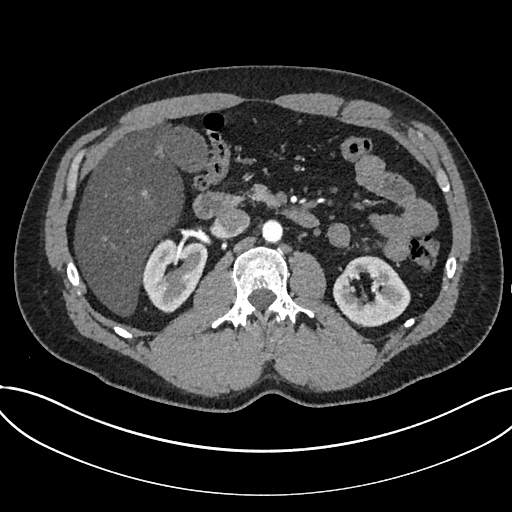
One axial slice (423 of 735, counting up from the lowest) of an arterial-phase abdominal CT acquired with 120 kVp, kernel I30f; each pixel is 0.789 mm and the slice is 1.00 mm thick.
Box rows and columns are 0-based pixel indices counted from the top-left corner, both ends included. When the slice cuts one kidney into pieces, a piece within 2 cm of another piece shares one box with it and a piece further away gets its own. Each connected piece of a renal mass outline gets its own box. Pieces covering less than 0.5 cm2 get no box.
Boxed on this slice (two kidney boxes), listed by box centre from the image's left to its right: (1) Box rows 238–313, columns 142–207: kidney (outlined area 3,458 px, about 21.5 cm2). (2) Kidney, box rows 255–327, columns 333–410 (outlined area 3,782 px, about 23.5 cm2). No renal mass is outlined on this slice.